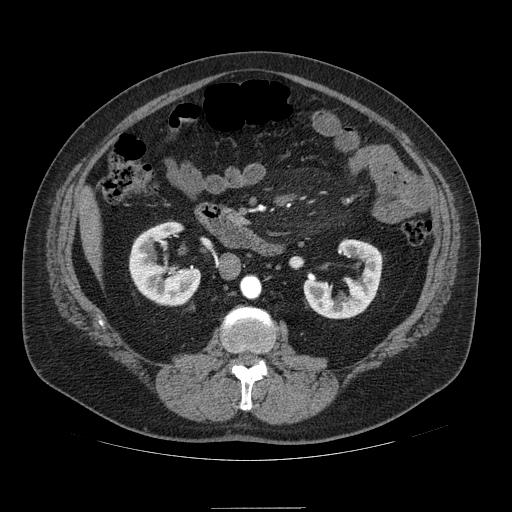
Abdominal CT with intravenous contrast, arterial phase, axial plane, 120 kVp, kernel STANDARD. Slice 45/121 from the bottom of the scan; thickness 2.50 mm; pixel size 0.861 mm.
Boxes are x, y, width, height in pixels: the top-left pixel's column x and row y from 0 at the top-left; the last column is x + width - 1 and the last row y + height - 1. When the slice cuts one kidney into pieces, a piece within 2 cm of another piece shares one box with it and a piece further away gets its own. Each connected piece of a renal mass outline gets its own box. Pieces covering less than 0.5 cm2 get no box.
Boxed on this slice (two kidney boxes), listed by box centre from the image's left to its right: (1) Right kidney at x 129, y 221, width 72, height 85 (outlined area 3,670 px, about 27.2 cm2). (2) Left kidney at x 303, y 239, width 80, height 80 (outlined area 3,369 px, about 25.0 cm2). No renal mass outline on this slice.